Arterial-phase contrast-enhanced abdominal CT, axial slice 460 of 591 (counted from the lowest slice); tube voltage 140 kVp, convolution kernel I30f; slices 1.00 mm thick, 0.703 mm per pixel.
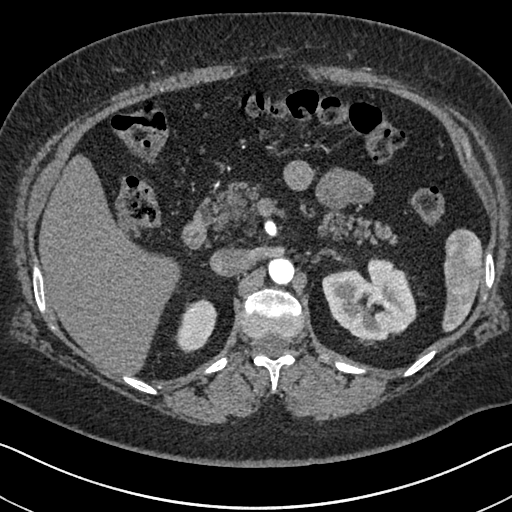
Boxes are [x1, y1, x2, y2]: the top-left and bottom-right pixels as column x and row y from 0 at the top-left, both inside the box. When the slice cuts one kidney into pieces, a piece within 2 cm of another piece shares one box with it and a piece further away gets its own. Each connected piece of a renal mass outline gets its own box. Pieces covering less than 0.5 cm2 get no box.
Two kidney boxes on this slice; by box centre, from the image's left to its right: (1) Box [174, 298, 217, 353]: right kidney (outlined area 1,613 px, about 8.0 cm2). (2) Left kidney at [322, 256, 416, 343] (outlined area 5,706 px, about 28.2 cm2). No renal mass is outlined on this slice.